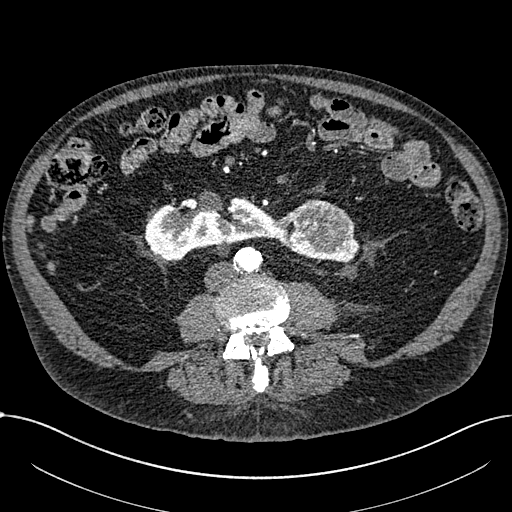
Axial slice 284 of 1059 of a contrast-enhanced abdominal CT in the arterial phase (slice 1 is the lowest), 100 kVp, kernel I30f; 1.00 mm slice thickness and 0.811 mm pixels.
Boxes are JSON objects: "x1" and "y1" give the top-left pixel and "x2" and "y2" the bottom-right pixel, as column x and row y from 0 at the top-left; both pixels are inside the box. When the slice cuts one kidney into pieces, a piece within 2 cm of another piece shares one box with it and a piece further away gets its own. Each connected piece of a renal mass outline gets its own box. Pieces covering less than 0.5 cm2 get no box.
Boxed on this slice (one kidney box and one renal mass box), listed by box centre from the image's left to its right: (1) Kidney crossing the body midline at {"x1": 144, "y1": 196, "x2": 359, "y2": 262} (outlined area 7,447 px, about 48.9 cm2). (2) Renal mass, box {"x1": 299, "y1": 199, "x2": 352, "y2": 251} (outlined area 2,128 px, about 14.0 cm2).